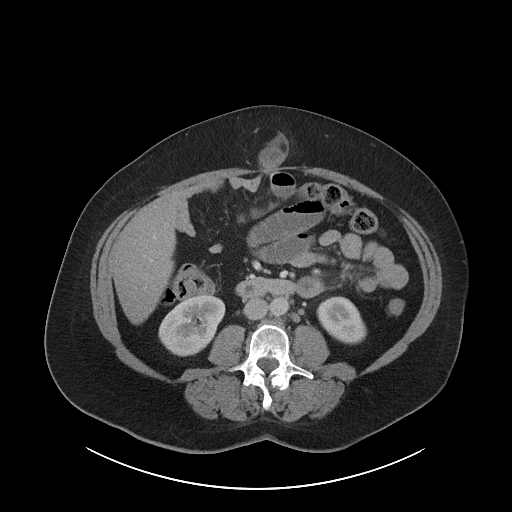
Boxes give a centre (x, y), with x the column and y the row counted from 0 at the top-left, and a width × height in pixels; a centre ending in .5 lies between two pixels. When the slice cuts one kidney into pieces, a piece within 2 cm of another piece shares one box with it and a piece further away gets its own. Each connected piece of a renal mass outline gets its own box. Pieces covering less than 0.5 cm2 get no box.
This is axial slice 47 of 86 (slice 1 is the lowest) of an arterial-phase abdominal CT with contrast; each pixel is 0.977 mm and the slice is 5.00 mm thick. Two kidney boxes on this slice; by box centre, from the image's left to its right: (1) Right kidney in a box with centre (191.5, 325.5), 68 × 62 pixels (outlined area 2,936 px, about 28.0 cm2). (2) Left kidney, box centre (341, 320), 51 × 49 pixels (outlined area 1,727 px, about 16.5 cm2). This slice carries no renal mass outline.
Acquired at 120 kVp and reconstructed with the I40f kernel.